Contrast-enhanced abdominal CT, axial slice 104 of 178 (counted from the lowest slice); tube voltage 100 kVp, convolution kernel I30f; slices 5.00 mm thick, 0.650 mm per pixel.
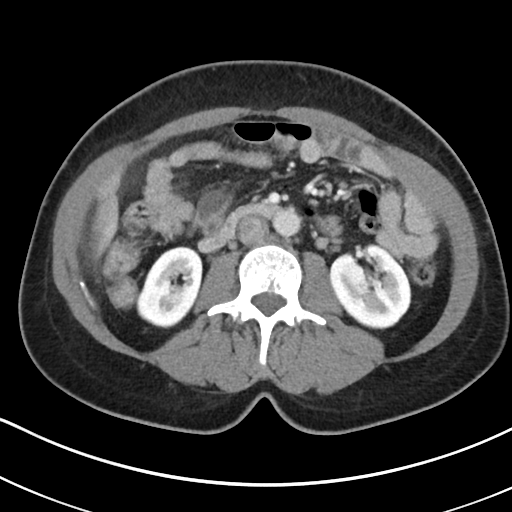
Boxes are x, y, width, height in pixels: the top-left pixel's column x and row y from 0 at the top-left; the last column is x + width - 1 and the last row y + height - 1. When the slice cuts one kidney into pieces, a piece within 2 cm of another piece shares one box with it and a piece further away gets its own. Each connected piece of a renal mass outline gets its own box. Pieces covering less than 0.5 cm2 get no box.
Two boxes on this slice (two kidney boxes), listed by box centre from the image's left to its right. (1) Right kidney, box x 135, y 246, width 68, height 83 (outlined area 3,968 px, about 16.8 cm2). (2) Box x 330, y 242, width 82, height 88: left kidney (outlined area 5,162 px, about 21.8 cm2). No renal mass outline on this slice.